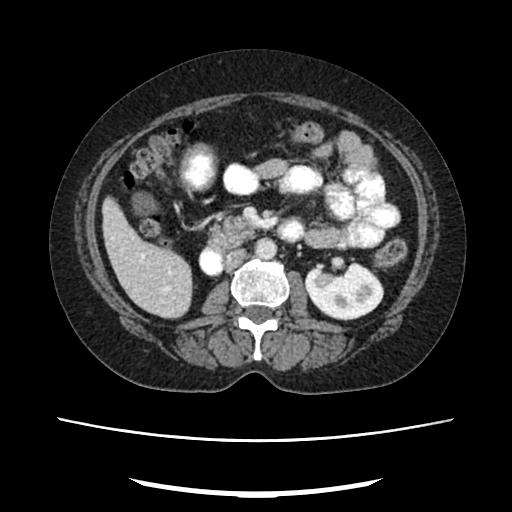
One axial slice (132 of 207, counting up from the lowest) of an arterial-phase abdominal CT acquired with 120 kVp, kernel FC18; each pixel is 0.741 mm and the slice is 2.00 mm thick.
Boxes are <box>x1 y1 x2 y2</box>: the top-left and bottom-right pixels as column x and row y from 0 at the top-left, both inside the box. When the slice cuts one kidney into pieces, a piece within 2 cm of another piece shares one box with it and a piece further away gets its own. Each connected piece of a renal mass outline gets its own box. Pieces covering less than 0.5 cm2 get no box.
Left kidney at <box>304 261 384 320</box> (outlined area 3,519 px, about 19.3 cm2). This slice carries no renal mass outline.